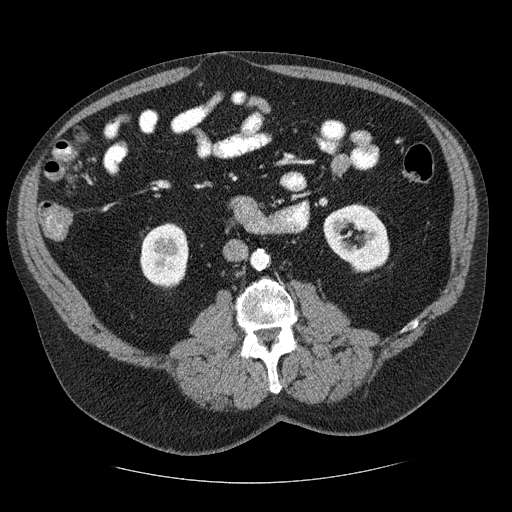
Axial slice 116 of 206 of a contrast-enhanced abdominal CT (slice 1 is the lowest), 120 kVp, kernel STANDARD; 2.50 mm slice thickness and 0.879 mm pixels.
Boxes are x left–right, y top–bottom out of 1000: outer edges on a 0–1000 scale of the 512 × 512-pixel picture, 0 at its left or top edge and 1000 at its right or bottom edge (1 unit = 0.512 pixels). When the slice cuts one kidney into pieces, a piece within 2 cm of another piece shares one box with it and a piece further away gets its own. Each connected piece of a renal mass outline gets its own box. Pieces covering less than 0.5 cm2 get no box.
Two boxes on this slice (two kidney boxes), listed by box centre from the image's left to its right. (1) Right kidney, box x 273–369, y 434–564 out of 1000 (outlined area 2,603 px, about 20.1 cm2). (2) Box x 631–762, y 396–533 out of 1000: left kidney (outlined area 3,336 px, about 25.8 cm2). This slice carries no renal mass outline.